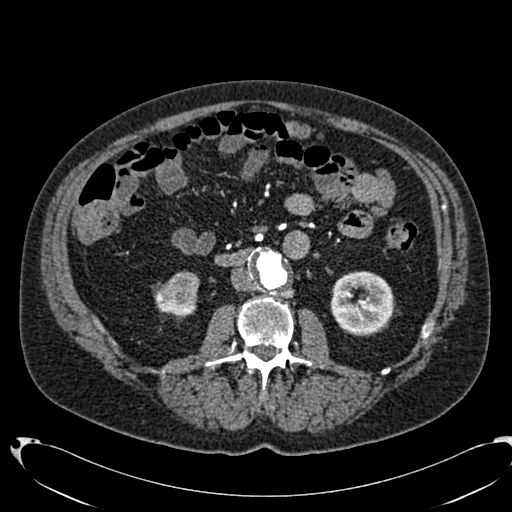
Abdominal CT with intravenous contrast, arterial phase, axial plane, 120 kVp, kernel B20f. Slice 365/553 from the bottom of the scan; thickness 1.00 mm; pixel size 0.773 mm.
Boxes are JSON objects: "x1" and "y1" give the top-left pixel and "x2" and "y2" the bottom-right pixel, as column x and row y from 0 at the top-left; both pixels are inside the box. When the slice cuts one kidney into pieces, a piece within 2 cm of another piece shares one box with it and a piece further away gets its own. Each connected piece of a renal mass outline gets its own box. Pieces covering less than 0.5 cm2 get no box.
Two kidney boxes on this slice; by box centre, from the image's left to its right: (1) Right kidney, box {"x1": 155, "y1": 271, "x2": 199, "y2": 317} (outlined area 1,544 px, about 9.2 cm2). (2) Left kidney, box {"x1": 330, "y1": 271, "x2": 393, "y2": 335} (outlined area 3,224 px, about 19.3 cm2). This slice carries no renal mass outline.